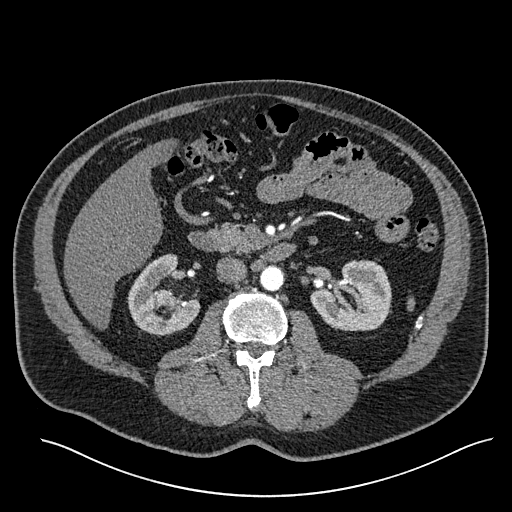
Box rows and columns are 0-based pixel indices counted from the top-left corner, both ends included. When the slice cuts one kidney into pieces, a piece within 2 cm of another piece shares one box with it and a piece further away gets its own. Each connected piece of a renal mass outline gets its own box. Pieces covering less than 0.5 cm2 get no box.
Slice 323/527 of a contrast-enhanced abdominal CT in the arterial phase, counting up from the lowest; pixel size 0.859 mm, slice thickness 1.00 mm. Two kidney boxes and one renal mass box on this slice; by box centre, from the image's left to its right: (1) Right kidney, box rows 253–336, columns 127–200 (outlined area 3,462 px, about 25.6 cm2). (2) Right renal mass at rows 288–307, columns 155–173 (outlined area 316 px, about 2.3 cm2). (3) Left kidney, box rows 260–331, columns 310–391 (outlined area 4,321 px, about 31.9 cm2).
Acquired at 120 kVp and reconstructed with the I30f kernel.